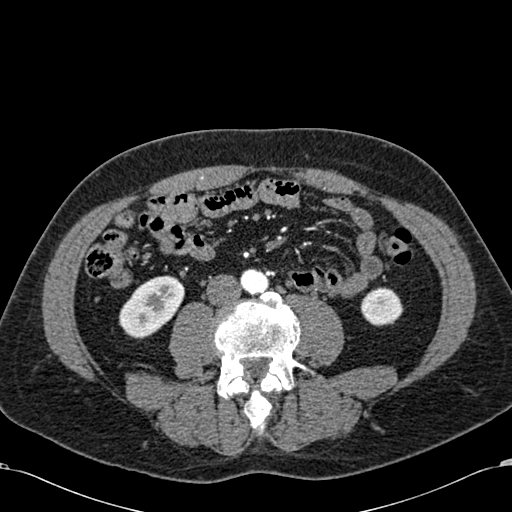
Axial slice 222 of 581 of a contrast-enhanced abdominal CT in the arterial phase (slice 1 is the lowest), 120 kVp, kernel B30f; 1.00 mm slice thickness and 0.713 mm pixels.
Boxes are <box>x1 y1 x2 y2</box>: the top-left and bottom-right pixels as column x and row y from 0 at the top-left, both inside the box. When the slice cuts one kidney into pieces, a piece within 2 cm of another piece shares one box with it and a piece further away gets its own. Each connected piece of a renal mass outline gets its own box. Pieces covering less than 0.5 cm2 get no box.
Two kidney boxes on this slice; by box centre, from the image's left to its right: (1) Right kidney: <box>119 275 184 338</box> (outlined area 2,824 px, about 14.4 cm2). (2) Left kidney at <box>360 287 403 326</box> (outlined area 1,291 px, about 6.6 cm2). This slice carries no renal mass outline.